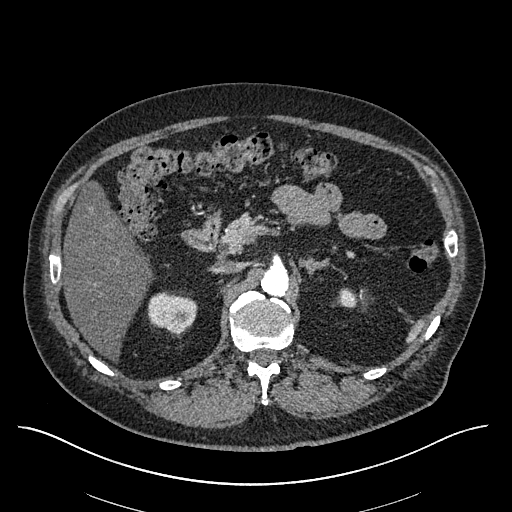
One axial slice (394 of 670, counting up from the lowest) of an arterial-phase abdominal CT acquired with 120 kVp, kernel I30f; each pixel is 0.861 mm and the slice is 1.00 mm thick.
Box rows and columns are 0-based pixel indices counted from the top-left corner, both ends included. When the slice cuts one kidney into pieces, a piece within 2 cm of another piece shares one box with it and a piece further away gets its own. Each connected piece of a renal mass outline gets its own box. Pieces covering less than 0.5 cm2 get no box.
Boxed on this slice (two kidney boxes), listed by box centre from the image's left to its right: (1) Box rows 292–334, columns 147–196: right kidney (outlined area 1,592 px, about 11.8 cm2). (2) Left kidney at rows 289–307, columns 339–355 (outlined area 253 px, about 1.9 cm2). No renal mass outline on this slice.